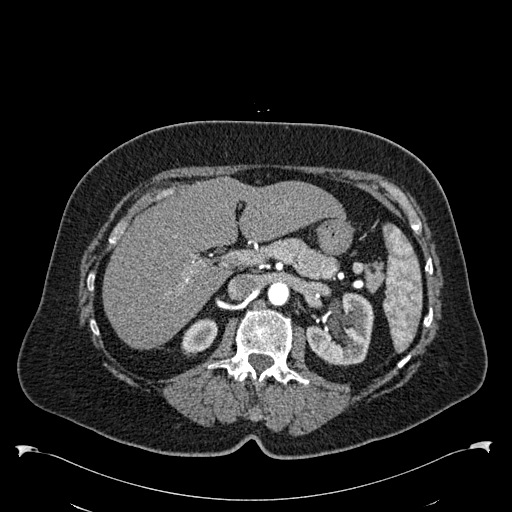
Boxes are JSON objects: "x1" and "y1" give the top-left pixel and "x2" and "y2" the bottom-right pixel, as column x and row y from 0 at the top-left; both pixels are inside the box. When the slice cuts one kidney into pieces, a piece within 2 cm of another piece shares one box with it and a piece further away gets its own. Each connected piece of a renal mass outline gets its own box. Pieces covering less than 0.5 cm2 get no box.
Arterial-phase contrast-enhanced abdominal CT, axial slice 373 of 538 (counted from the lowest slice); 1.00 mm thick, 0.811 mm per pixel. Boxed on this slice (two kidney boxes), listed by box centre from the image's left to its right: (1) Right kidney, box {"x1": 181, "y1": 318, "x2": 217, "y2": 356} (outlined area 985 px, about 6.5 cm2). (2) Left kidney at {"x1": 307, "y1": 292, "x2": 374, "y2": 366} (outlined area 3,601 px, about 23.7 cm2). This slice carries no renal mass outline.
Acquired at 120 kVp and reconstructed with the B30f kernel.